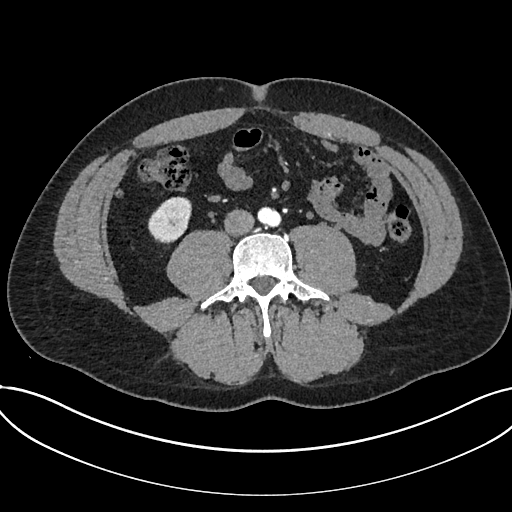
Axial slice 278 of 735 of a contrast-enhanced abdominal CT in the arterial phase (slice 1 is the lowest), 120 kVp, kernel I30f; 1.00 mm slice thickness and 0.789 mm pixels.
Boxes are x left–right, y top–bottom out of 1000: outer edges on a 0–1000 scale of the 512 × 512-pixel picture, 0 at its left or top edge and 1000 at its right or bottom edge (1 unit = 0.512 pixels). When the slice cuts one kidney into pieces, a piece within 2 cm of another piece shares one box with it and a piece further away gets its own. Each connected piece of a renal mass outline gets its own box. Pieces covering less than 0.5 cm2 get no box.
Kidney, box x 289–375, y 383–477 out of 1000 (outlined area 1,537 px, about 9.6 cm2). This slice carries no renal mass outline.